Axial slice 529 of 787 of a contrast-enhanced abdominal CT (slice 1 is the lowest), 140 kVp, kernel I30f; 1.00 mm slice thickness and 0.910 mm pixels.
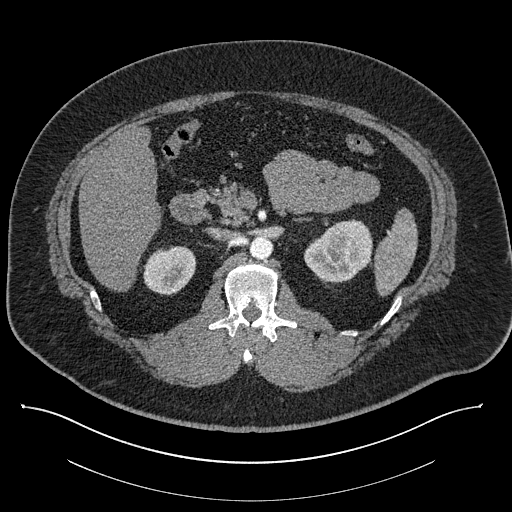
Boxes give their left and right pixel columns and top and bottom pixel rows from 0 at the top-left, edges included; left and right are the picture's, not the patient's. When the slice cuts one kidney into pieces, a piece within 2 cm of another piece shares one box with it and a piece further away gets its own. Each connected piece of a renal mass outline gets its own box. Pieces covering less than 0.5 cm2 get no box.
Boxed on this slice (two kidney boxes), listed by box centre from the image's left to its right: (1) Right kidney in the box with left 143, top 246, right 196, bottom 295 (outlined area 2,062 px, about 17.1 cm2). (2) Left kidney in the box with left 304, top 219, right 372, bottom 282 (outlined area 3,207 px, about 26.6 cm2). No renal mass is outlined on this slice.